Axial slice 105 of 197 of a contrast-enhanced abdominal CT (slice 1 is the lowest), 120 kVp, kernel I30f; 5.00 mm slice thickness and 0.791 mm pixels.
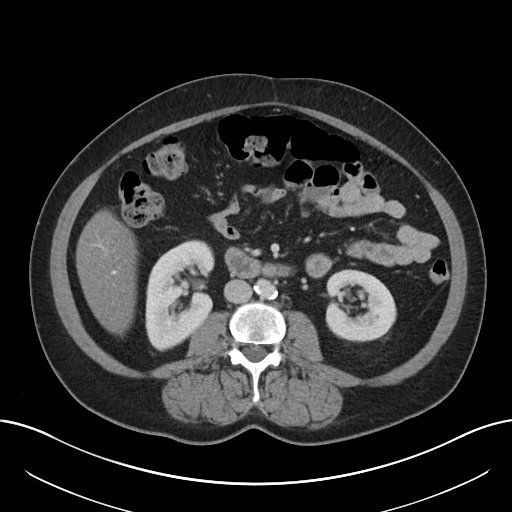
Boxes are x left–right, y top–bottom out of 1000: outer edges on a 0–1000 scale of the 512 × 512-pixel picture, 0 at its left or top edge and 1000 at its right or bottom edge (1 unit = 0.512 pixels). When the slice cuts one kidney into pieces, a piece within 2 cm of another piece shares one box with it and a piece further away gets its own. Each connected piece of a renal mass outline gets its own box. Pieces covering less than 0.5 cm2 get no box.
Boxed on this slice (two kidney boxes), listed by box centre from the image's left to its right: (1) Right kidney, box x 283–422, y 467–686 out of 1000 (outlined area 5,739 px, about 35.9 cm2). (2) Box x 635–775, y 525–670 out of 1000: left kidney (outlined area 4,131 px, about 25.8 cm2). This slice carries no renal mass outline.